Arterial-phase contrast-enhanced abdominal CT, axial slice 267 of 548 (counted from the lowest slice); tube voltage 120 kVp, convolution kernel I26f; slices 1.00 mm thick, 0.852 mm per pixel.
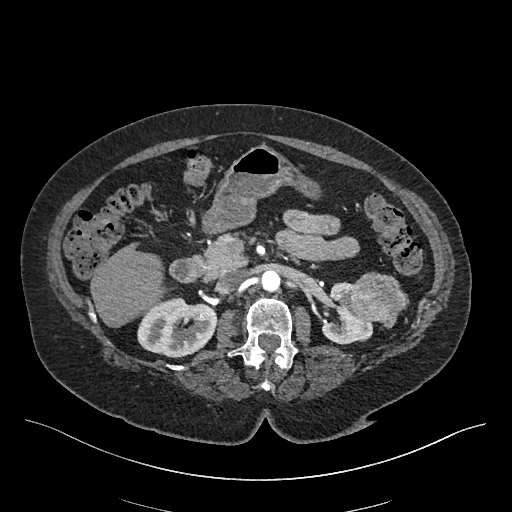
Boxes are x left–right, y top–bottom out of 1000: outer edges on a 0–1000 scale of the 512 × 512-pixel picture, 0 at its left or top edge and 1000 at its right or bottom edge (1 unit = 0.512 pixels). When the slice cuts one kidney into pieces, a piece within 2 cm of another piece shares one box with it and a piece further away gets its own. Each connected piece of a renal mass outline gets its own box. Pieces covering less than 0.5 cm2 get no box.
Three boxes on this slice (two kidney boxes and one renal mass box), listed by box centre from the image's left to its right. (1) Right kidney at x 268–426, y 580–699 out of 1000 (outlined area 3,652 px, about 26.5 cm2). (2) Left kidney at x 627–729, y 551–674 out of 1000 (outlined area 1,877 px, about 13.6 cm2). (3) Left renal mass at x 682–801, y 531–643 out of 1000 (outlined area 2,412 px, about 17.5 cm2).